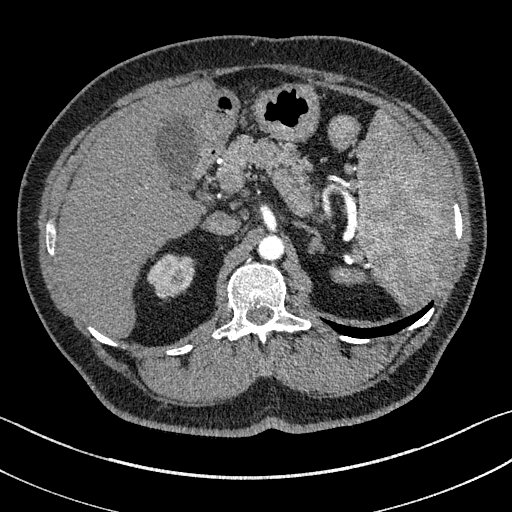
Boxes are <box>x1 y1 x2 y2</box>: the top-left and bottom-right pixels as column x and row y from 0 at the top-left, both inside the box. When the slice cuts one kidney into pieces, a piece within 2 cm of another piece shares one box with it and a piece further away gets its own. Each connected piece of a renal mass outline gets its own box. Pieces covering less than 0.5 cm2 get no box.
This is axial slice 112 of 195 (slice 1 is the lowest) of an arterial-phase abdominal CT with contrast; each pixel is 0.707 mm and the slice is 1.50 mm thick. Right kidney at <box>147 254 194 298</box> (outlined area 1,537 px, about 7.7 cm2). No renal mass is outlined on this slice.
Scan settings: 100 kVp, I31f reconstruction kernel.